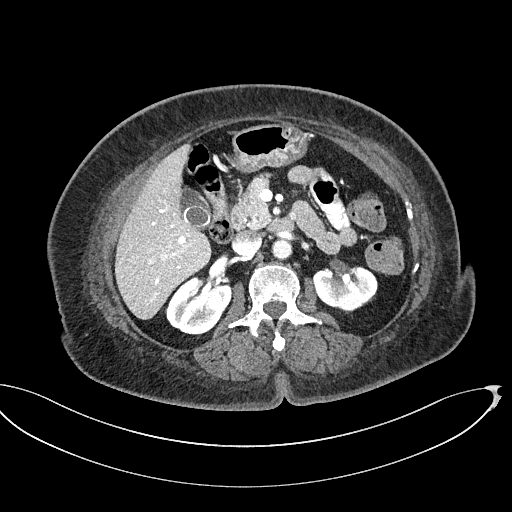
Contrast-enhanced abdominal CT, axial slice 305 of 439 (counted from the lowest slice); tube voltage 100 kVp, convolution kernel I40f; slices 2.00 mm thick, 0.850 mm per pixel.
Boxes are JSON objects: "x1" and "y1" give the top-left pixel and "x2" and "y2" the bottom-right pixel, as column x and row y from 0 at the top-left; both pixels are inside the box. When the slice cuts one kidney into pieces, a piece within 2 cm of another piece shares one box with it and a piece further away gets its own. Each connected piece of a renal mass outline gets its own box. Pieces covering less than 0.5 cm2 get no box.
Two boxes on this slice (two kidney boxes), listed by box centre from the image's left to its right. (1) Right kidney, box {"x1": 165, "y1": 276, "x2": 231, "y2": 335} (outlined area 2,828 px, about 20.4 cm2). (2) Left kidney at {"x1": 313, "y1": 266, "x2": 377, "y2": 313} (outlined area 2,339 px, about 16.9 cm2). No renal mass outline on this slice.